Abdominal CT with intravenous contrast, arterial phase, axial plane, 120 kVp, kernel I30f. Slice 538/705 from the bottom of the scan; thickness 1.00 mm; pixel size 0.703 mm.
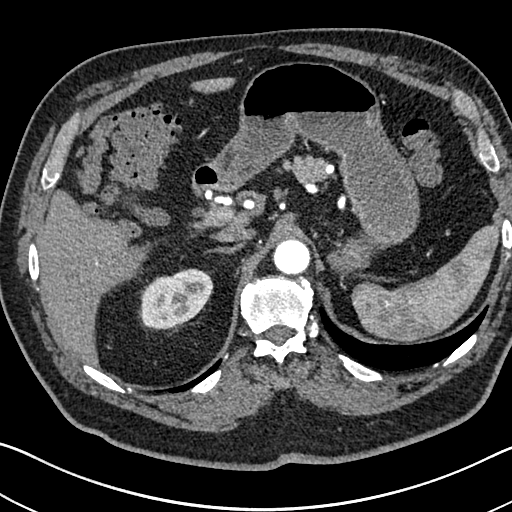
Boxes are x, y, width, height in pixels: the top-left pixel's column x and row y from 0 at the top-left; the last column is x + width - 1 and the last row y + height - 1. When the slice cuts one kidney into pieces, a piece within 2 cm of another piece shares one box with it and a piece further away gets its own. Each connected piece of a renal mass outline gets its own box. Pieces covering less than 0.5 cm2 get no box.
Right kidney at x 138, y 268, width 76, height 63 (outlined area 3,424 px, about 16.9 cm2). This slice carries no renal mass outline.